Axial slice 185 of 345 of a contrast-enhanced abdominal CT in the arterial phase (slice 1 is the lowest), 120 kVp, kernel I31f; 2.00 mm slice thickness and 0.977 mm pixels.
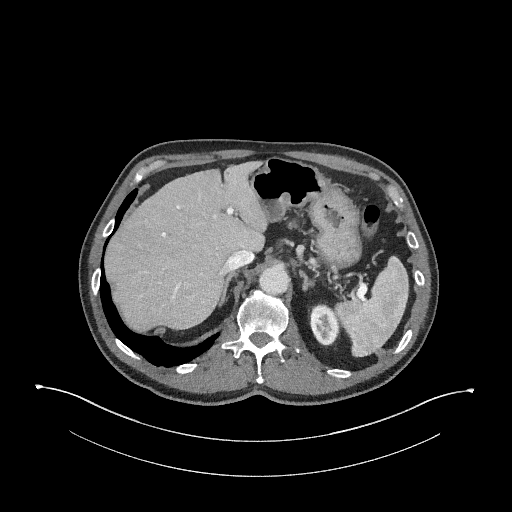
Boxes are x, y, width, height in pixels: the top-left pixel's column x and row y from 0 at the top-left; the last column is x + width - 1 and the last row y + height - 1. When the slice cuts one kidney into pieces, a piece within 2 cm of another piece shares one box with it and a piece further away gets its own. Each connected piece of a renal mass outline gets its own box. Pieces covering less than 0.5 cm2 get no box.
Box x 309, y 303, width 32, height 44: left kidney (outlined area 1,034 px, about 9.9 cm2). No renal mass is outlined on this slice.